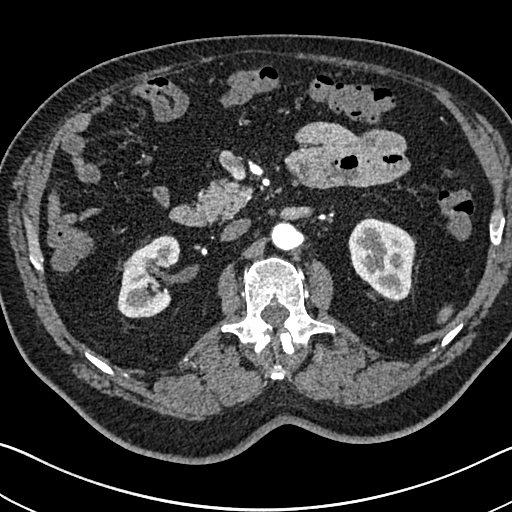
Axial slice 432 of 705 of a contrast-enhanced abdominal CT in the arterial phase (slice 1 is the lowest), 120 kVp, kernel I30f; 1.00 mm slice thickness and 0.703 mm pixels.
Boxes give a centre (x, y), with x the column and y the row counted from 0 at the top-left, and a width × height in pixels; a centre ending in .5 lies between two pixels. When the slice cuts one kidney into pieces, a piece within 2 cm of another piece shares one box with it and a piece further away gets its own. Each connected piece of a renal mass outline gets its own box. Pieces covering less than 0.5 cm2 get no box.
Two kidney boxes on this slice; by box centre, from the image's left to its right: (1) Right kidney, box centre (148.5, 276.5), 64 × 84 pixels (outlined area 3,731 px, about 18.4 cm2). (2) Box centre (381.5, 259), 68 × 85 pixels: left kidney (outlined area 4,191 px, about 20.7 cm2). This slice carries no renal mass outline.